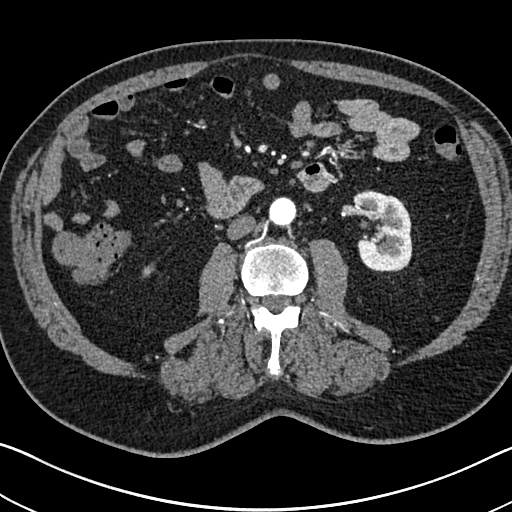
Arterial-phase contrast-enhanced abdominal CT, axial slice 346 of 705 (counted from the lowest slice); tube voltage 120 kVp, convolution kernel I30f; slices 1.00 mm thick, 0.703 mm per pixel.
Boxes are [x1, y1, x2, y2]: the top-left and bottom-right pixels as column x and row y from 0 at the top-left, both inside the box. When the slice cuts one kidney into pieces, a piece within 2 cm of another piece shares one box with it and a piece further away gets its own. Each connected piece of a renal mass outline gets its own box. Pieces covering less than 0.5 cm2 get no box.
Boxed on this slice (two kidney boxes), listed by box centre from the image's left to its right: (1) Right kidney, box [142, 263, 154, 277] (outlined area 113 px, about 0.6 cm2). (2) Box [352, 190, 412, 271]: left kidney (outlined area 3,800 px, about 18.8 cm2). No renal mass is outlined on this slice.